One axial slice (63 of 98, counting up from the lowest) of an arterial-phase abdominal CT acquired with 120 kVp, kernel B; each pixel is 0.703 mm and the slice is 5.00 mm thick.
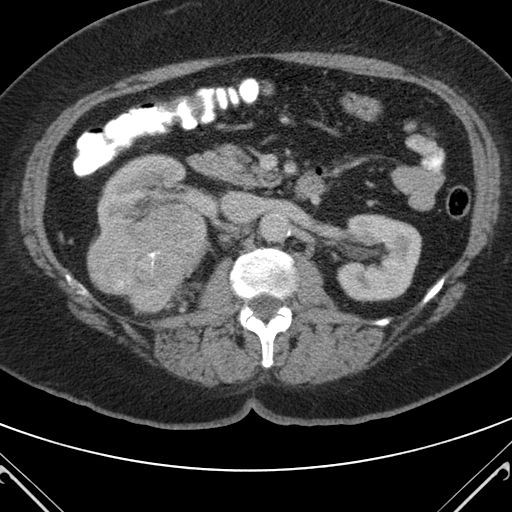
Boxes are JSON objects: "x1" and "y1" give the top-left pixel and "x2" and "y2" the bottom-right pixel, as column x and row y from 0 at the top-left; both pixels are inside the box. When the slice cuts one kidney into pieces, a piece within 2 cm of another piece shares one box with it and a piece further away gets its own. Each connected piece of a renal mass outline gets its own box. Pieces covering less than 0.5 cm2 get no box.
Two kidney boxes and one renal mass box on this slice; by box centre, from the image's left to its right: (1) Right renal mass, box {"x1": 86, "y1": 204, "x2": 210, "y2": 314} (outlined area 9,341 px, about 46.2 cm2). (2) Right kidney, box {"x1": 96, "y1": 153, "x2": 205, "y2": 232} (outlined area 4,862 px, about 24.0 cm2). (3) Left kidney, box {"x1": 336, "y1": 214, "x2": 421, "y2": 302} (outlined area 5,945 px, about 29.4 cm2).